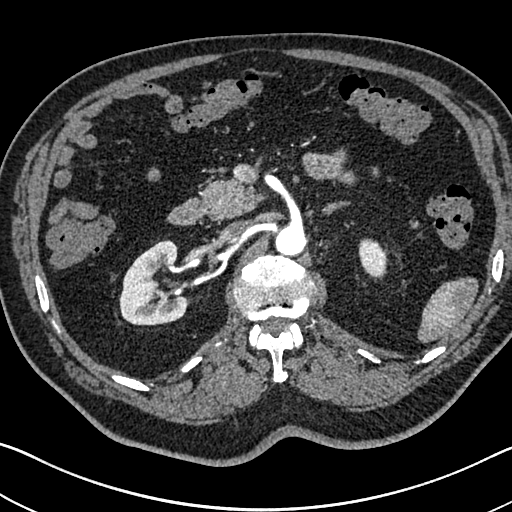
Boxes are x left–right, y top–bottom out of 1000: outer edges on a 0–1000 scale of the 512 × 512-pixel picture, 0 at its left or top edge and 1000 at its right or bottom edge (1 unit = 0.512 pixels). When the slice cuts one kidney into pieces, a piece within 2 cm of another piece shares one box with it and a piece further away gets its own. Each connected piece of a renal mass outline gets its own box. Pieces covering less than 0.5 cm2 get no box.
This is axial slice 462 of 705 (slice 1 is the lowest) of an arterial-phase abdominal CT with contrast; each pixel is 0.703 mm and the slice is 1.00 mm thick. Boxed on this slice (two kidney boxes), listed by box centre from the image's left to its right: (1) Right kidney at x 232–367, y 469–637 out of 1000 (outlined area 4,194 px, about 20.7 cm2). (2) Left kidney at x 699–760, y 465–551 out of 1000 (outlined area 942 px, about 4.7 cm2). No renal mass outline on this slice.
Scan settings: 120 kVp, I30f reconstruction kernel.